Axial slice 67 of 106 of a contrast-enhanced abdominal CT in the arterial phase (slice 1 is the lowest), 120 kVp, kernel STANDARD; 2.50 mm slice thickness and 0.742 mm pixels.
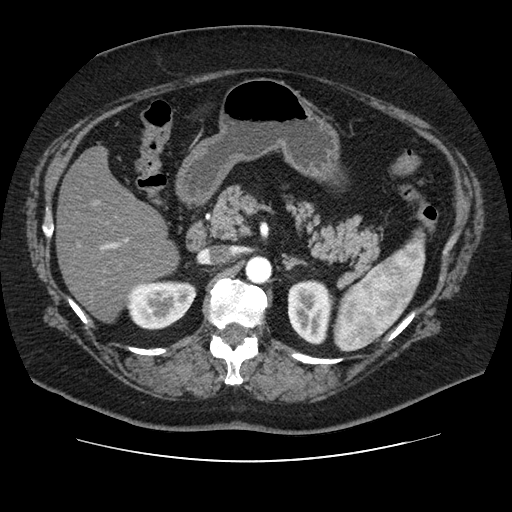
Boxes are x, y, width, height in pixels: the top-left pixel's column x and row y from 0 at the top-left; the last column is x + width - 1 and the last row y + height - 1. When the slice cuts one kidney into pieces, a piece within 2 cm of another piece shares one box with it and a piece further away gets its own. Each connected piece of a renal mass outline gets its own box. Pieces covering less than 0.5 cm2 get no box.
Boxed on this slice (two kidney boxes), listed by box centre from the image's left to its right: (1) Right kidney, box x 127, y 280, width 70, height 51 (outlined area 2,684 px, about 14.8 cm2). (2) Left kidney, box x 287, y 279, width 48, height 66 (outlined area 2,397 px, about 13.2 cm2). This slice carries no renal mass outline.